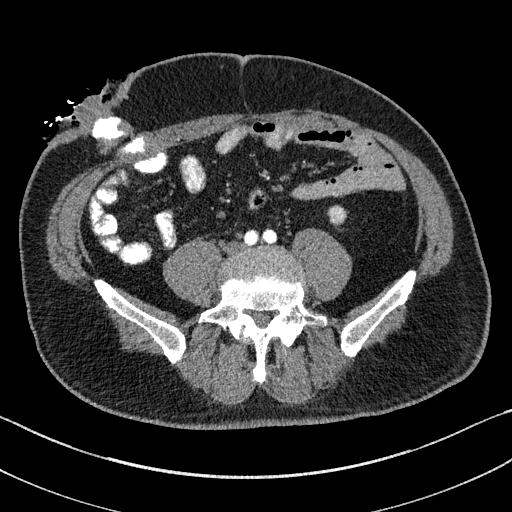
One axial slice (23 of 195, counting up from the lowest) of an arterial-phase abdominal CT acquired with 100 kVp, kernel I31f; each pixel is 0.707 mm and the slice is 1.50 mm thick.
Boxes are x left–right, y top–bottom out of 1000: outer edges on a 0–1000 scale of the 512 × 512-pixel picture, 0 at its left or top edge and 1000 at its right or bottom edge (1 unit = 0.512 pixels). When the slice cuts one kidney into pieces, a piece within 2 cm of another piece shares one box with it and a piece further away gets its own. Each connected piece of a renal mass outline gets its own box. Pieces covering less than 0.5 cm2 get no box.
Box x 641–678, y 400–439 out of 1000: left kidney (outlined area 278 px, about 1.4 cm2). No renal mass outline on this slice.